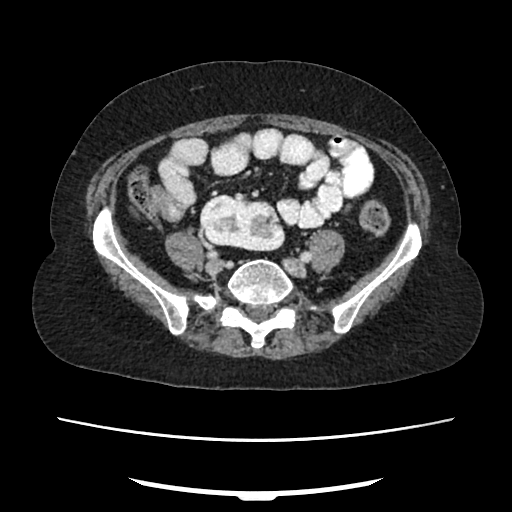
Arterial-phase contrast-enhanced abdominal CT, axial slice 84 of 207 (counted from the lowest slice); tube voltage 120 kVp, convolution kernel FC18; slices 2.00 mm thick, 0.741 mm per pixel.
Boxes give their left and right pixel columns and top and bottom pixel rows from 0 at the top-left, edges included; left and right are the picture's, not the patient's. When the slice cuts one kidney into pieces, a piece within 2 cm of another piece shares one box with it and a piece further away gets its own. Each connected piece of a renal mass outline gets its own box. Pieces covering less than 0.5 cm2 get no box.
Right kidney in the box with left 200, top 194, right 284, bottom 251 (outlined area 3,857 px, about 21.2 cm2). No renal mass outline on this slice.